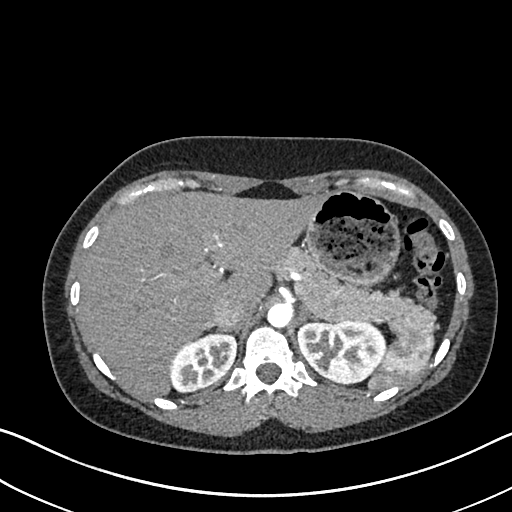
Axial slice 518 of 612 of a contrast-enhanced abdominal CT in the arterial phase (slice 1 is the lowest), 120 kVp, kernel I30f; 1.00 mm slice thickness and 0.703 mm pixels.
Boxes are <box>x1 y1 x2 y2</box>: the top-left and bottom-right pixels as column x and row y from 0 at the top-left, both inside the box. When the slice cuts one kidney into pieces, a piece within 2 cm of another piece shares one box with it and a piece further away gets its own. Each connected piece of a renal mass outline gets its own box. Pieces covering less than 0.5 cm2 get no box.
Two kidney boxes on this slice; by box centre, from the image's left to its right: (1) Right kidney at <box>170 331 236 392</box> (outlined area 2,994 px, about 14.8 cm2). (2) Left kidney: <box>297 319 386 383</box> (outlined area 4,518 px, about 22.3 cm2). No renal mass outline on this slice.